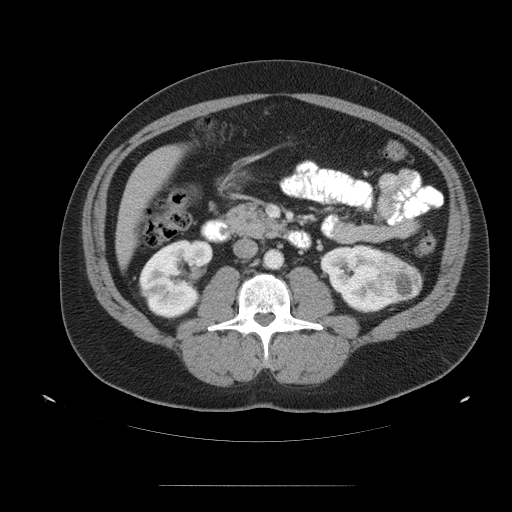
One axial slice (63 of 99, counting up from the lowest) of a contrast-enhanced abdominal CT acquired with 120 kVp, kernel STANDARD; each pixel is 0.938 mm and the slice is 5.00 mm thick.
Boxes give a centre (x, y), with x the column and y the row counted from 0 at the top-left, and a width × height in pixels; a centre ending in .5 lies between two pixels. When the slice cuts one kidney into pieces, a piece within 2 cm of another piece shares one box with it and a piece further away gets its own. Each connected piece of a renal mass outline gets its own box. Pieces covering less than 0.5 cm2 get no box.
Two kidney boxes and one renal mass box on this slice; by box centre, from the image's left to its right: (1) Right kidney, box centre (175.5, 279), 76 × 81 pixels (outlined area 4,299 px, about 37.8 cm2). (2) Box centre (360, 278.5), 81 × 70 pixels: left kidney (outlined area 3,505 px, about 30.8 cm2). (3) Box centre (400, 280.5), 45 × 44 pixels: left renal mass (outlined area 1,515 px, about 13.3 cm2).